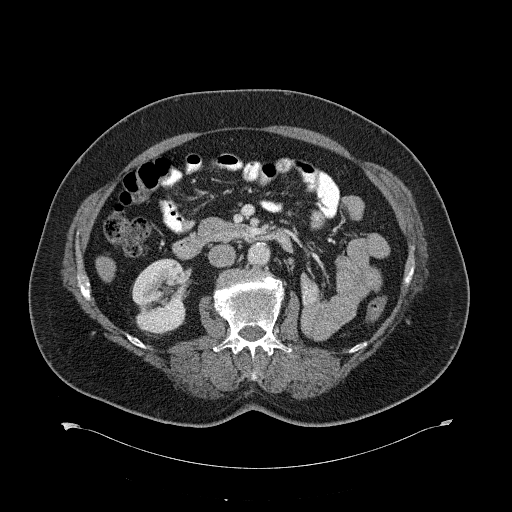
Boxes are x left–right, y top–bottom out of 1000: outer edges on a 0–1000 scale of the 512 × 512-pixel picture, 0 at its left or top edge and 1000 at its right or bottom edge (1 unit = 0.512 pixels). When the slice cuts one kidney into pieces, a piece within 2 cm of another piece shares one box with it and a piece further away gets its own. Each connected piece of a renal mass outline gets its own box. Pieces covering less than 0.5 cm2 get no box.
Slice 355/734 of a contrast-enhanced abdominal CT, counting up from the lowest; pixel size 0.971 mm, slice thickness 2.00 mm. Right kidney, box x 258–377, y 504–658 out of 1000 (outlined area 3,545 px, about 33.4 cm2). No renal mass is outlined on this slice.
Tube voltage 120 kVp; convolution kernel B31f.